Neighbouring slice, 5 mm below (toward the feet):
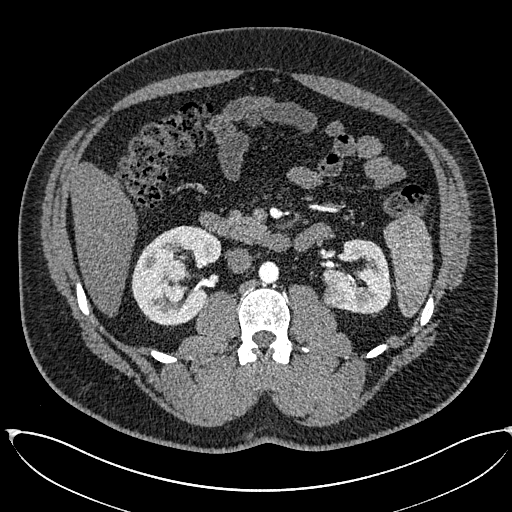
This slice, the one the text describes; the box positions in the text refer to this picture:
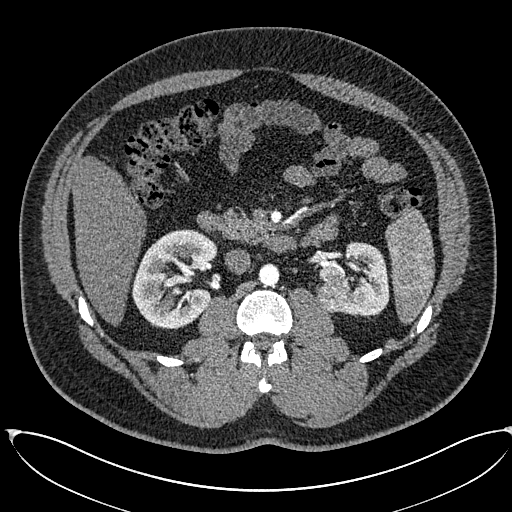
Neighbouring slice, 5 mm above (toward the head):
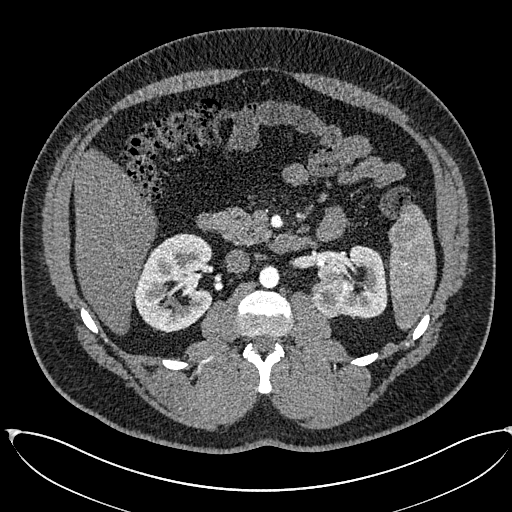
Abdominal CT with intravenous contrast, arterial phase, axial plane, 120 kVp, kernel I30f. Slice 350/673 from the bottom of the scan; thickness 1.00 mm; pixel size 0.855 mm.
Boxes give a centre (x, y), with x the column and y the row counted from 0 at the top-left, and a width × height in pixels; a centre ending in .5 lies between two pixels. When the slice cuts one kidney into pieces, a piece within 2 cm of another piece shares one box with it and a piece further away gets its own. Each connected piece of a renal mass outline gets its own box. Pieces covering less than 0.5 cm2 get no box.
Two kidney boxes and two renal mass boxes on this slice; by box centre, from the image's left to its right: (1) Right kidney in a box with centre (175, 278.5), 87 × 100 pixels (outlined area 6,083 px, about 44.5 cm2). (2) Right renal mass, box centre (175.5, 291.5), 12 × 10 pixels (outlined area 85 px, about 0.6 cm2). (3) Left renal mass in a box with centre (332.5, 294.5), 36 × 36 pixels (outlined area 979 px, about 7.2 cm2). (4) Box centre (354, 279), 71 × 75 pixels: left kidney (outlined area 3,221 px, about 23.6 cm2). This slice lies near the end of the right renal mass toward the head; the slices 5 mm below and 5 mm above it are shown too, and the boxes mark positions on this slice only.